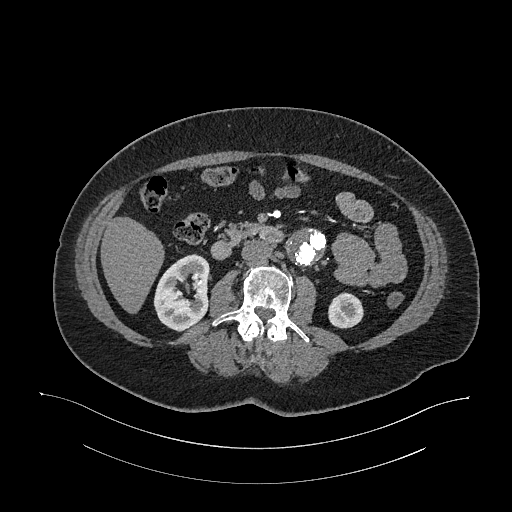
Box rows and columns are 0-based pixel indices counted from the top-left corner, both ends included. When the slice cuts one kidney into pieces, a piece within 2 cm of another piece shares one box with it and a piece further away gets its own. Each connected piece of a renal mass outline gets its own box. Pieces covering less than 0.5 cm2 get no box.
Arterial-phase contrast-enhanced abdominal CT, axial slice 597 of 987 (counted from the lowest slice); 1.00 mm thick, 0.977 mm per pixel. Boxed on this slice (two kidney boxes), listed by box centre from the image's left to its right: (1) Box rows 253–331, columns 153–210: right kidney (outlined area 3,250 px, about 31.0 cm2). (2) Left kidney, box rows 292–328, columns 328–363 (outlined area 1,032 px, about 9.8 cm2). This slice carries no renal mass outline.
Tube voltage 120 kVp; convolution kernel I26f.